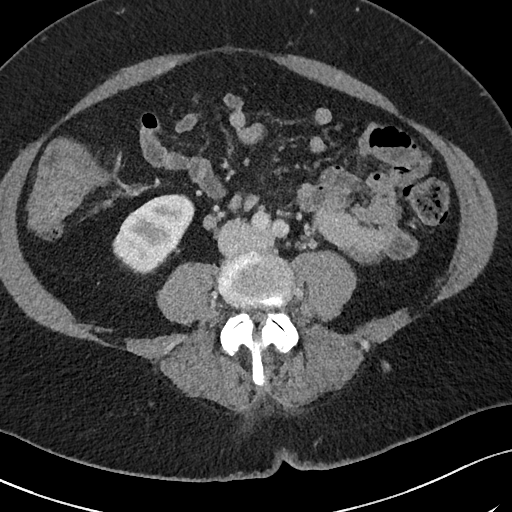
Arterial-phase contrast-enhanced abdominal CT, axial slice 24 of 69 (counted from the lowest slice); tube voltage 120 kVp, convolution kernel I40f; slices 3.00 mm thick, 0.664 mm per pixel.
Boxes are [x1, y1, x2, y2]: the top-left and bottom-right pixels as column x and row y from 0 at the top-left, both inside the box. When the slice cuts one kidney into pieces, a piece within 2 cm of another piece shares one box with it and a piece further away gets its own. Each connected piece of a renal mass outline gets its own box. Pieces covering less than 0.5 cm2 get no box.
Right kidney at [112, 194, 194, 274] (outlined area 4,377 px, about 19.3 cm2). No renal mass outline on this slice.